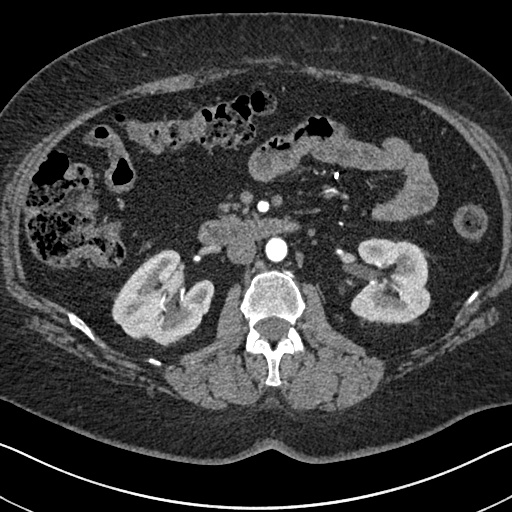
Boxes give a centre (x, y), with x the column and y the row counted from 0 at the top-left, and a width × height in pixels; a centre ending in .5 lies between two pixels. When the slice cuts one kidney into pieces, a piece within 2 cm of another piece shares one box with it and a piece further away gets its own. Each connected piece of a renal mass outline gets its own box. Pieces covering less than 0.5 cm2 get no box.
This is axial slice 390 of 591 (slice 1 is the lowest) of an arterial-phase abdominal CT with contrast; each pixel is 0.703 mm and the slice is 1.00 mm thick. Boxed on this slice (two kidney boxes), listed by box centre from the image's left to its right: (1) Box centre (162, 296.5), 103 × 96 pixels: right kidney (outlined area 6,479 px, about 32.0 cm2). (2) Box centre (389.5, 280), 82 × 87 pixels: left kidney (outlined area 5,599 px, about 27.7 cm2). This slice carries no renal mass outline.
Tube voltage 140 kVp; convolution kernel I30f.